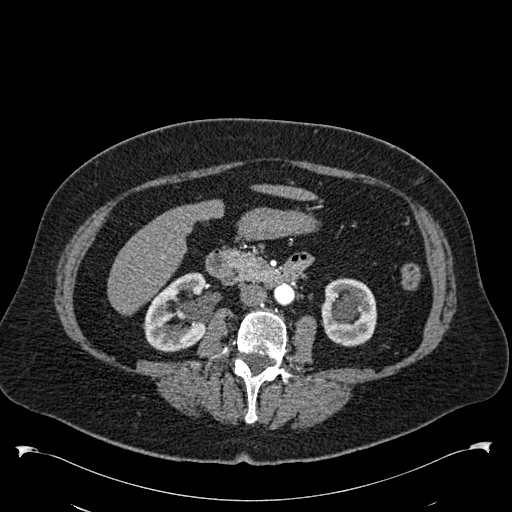
Abdominal CT with intravenous contrast, arterial phase, axial plane, 120 kVp, kernel B30f. Slice 284/538 from the bottom of the scan; thickness 1.00 mm; pixel size 0.811 mm.
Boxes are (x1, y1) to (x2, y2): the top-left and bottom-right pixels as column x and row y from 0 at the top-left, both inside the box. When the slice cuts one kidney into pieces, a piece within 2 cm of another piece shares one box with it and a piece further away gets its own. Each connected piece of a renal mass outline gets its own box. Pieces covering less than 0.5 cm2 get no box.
Boxed on this slice (two kidney boxes), listed by box centre from the image's left to its right: (1) Box (143, 272) to (206, 352): right kidney (outlined area 3,684 px, about 24.2 cm2). (2) Left kidney, box (320, 278) to (377, 346) (outlined area 3,177 px, about 20.9 cm2). No renal mass outline on this slice.